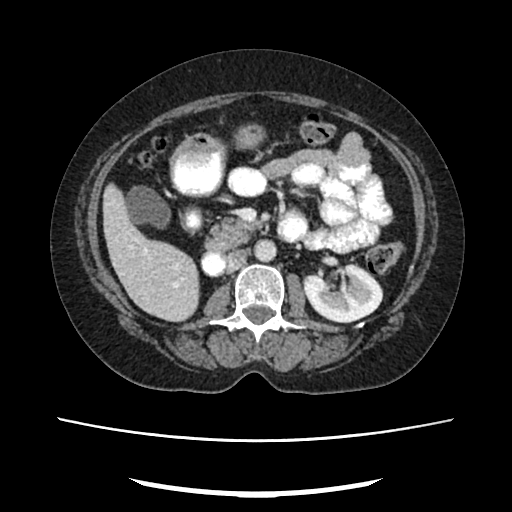
One axial slice (135 of 207, counting up from the lowest) of an arterial-phase abdominal CT acquired with 120 kVp, kernel FC18; each pixel is 0.741 mm and the slice is 2.00 mm thick.
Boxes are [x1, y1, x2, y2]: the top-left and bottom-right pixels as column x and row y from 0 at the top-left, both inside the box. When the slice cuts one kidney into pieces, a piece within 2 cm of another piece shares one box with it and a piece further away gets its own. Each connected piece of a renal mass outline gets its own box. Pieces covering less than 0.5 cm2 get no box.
Box [302, 262, 383, 323]: left kidney (outlined area 3,512 px, about 19.3 cm2).